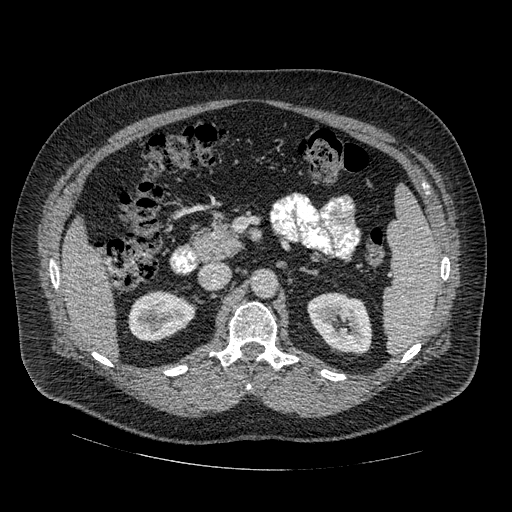
Arterial-phase contrast-enhanced abdominal CT, axial slice 297 of 445 (counted from the lowest slice); tube voltage 120 kVp, convolution kernel STANDARD; slices 1.25 mm thick, 0.863 mm per pixel.
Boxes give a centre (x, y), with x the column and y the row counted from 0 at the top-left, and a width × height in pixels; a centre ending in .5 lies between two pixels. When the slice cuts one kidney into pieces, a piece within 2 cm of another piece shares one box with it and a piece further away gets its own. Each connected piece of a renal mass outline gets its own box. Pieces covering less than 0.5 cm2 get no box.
Two boxes on this slice (two kidney boxes), listed by box centre from the image's left to its right. (1) Right kidney in a box with centre (161, 315.5), 69 × 52 pixels (outlined area 2,573 px, about 19.2 cm2). (2) Left kidney, box centre (339.5, 323), 66 × 63 pixels (outlined area 3,059 px, about 22.8 cm2). This slice carries no renal mass outline.